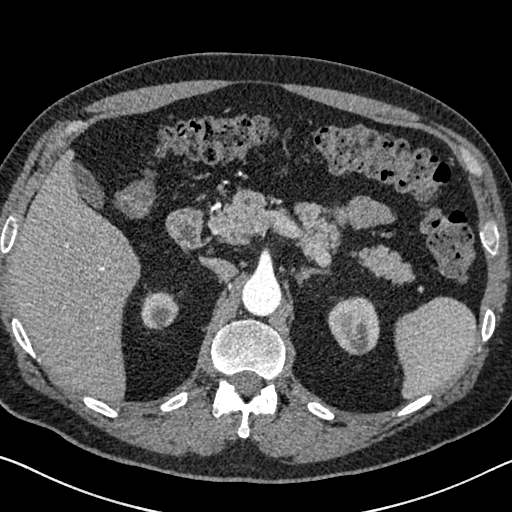
Axial slice 476 of 626 of a contrast-enhanced abdominal CT in the arterial phase (slice 1 is the lowest), 120 kVp, kernel I30f; 1.00 mm slice thickness and 0.703 mm pixels.
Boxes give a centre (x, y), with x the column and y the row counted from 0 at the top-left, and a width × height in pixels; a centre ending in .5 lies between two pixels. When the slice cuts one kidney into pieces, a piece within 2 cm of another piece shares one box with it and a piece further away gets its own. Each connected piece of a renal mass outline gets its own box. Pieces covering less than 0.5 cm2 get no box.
Two boxes on this slice (two kidney boxes), listed by box centre from the image's left to its right. (1) Right kidney in a box with centre (159.5, 310), 38 × 39 pixels (outlined area 1,153 px, about 5.7 cm2). (2) Left kidney, box centre (353, 325), 53 × 59 pixels (outlined area 2,372 px, about 11.7 cm2). This slice carries no renal mass outline.